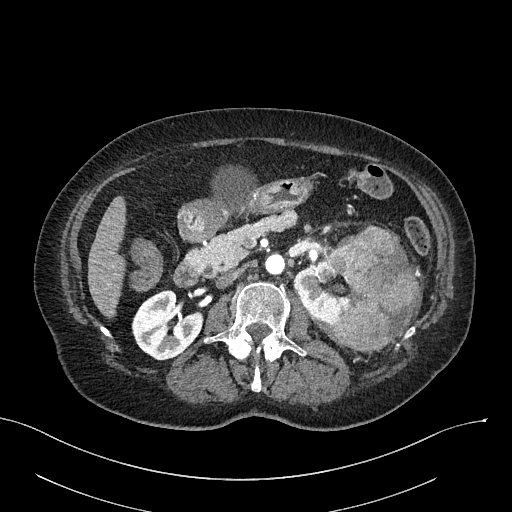
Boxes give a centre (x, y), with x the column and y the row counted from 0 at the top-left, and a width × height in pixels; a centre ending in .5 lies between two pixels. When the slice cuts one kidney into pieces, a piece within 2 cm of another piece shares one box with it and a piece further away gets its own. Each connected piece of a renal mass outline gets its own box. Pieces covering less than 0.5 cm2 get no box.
This is axial slice 137 of 316 (slice 1 is the lowest) of an arterial-phase abdominal CT with contrast; each pixel is 0.840 mm and the slice is 2.00 mm thick. Three boxes on this slice (two kidney boxes and one renal mass box), listed by box centre from the image's left to its right. (1) Box centre (167, 325), 73 × 71 pixels: right kidney (outlined area 3,457 px, about 24.4 cm2). (2) Left kidney, box centre (321.5, 284.5), 58 × 78 pixels (outlined area 2,685 px, about 18.9 cm2). (3) Left renal mass in a box with centre (375.5, 287.5), 92 × 126 pixels (outlined area 8,004 px, about 56.5 cm2).
Acquired at 100 kVp and reconstructed with the I40f kernel.